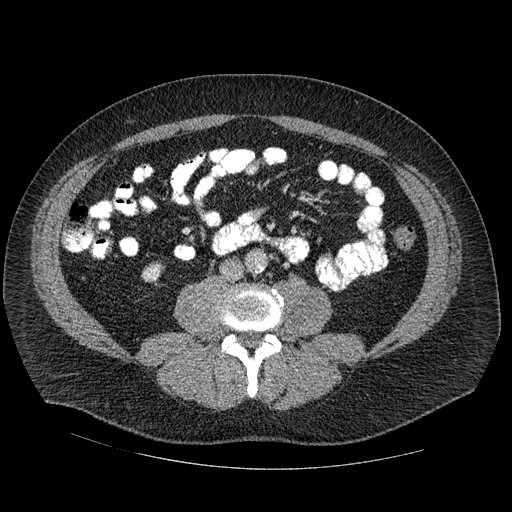
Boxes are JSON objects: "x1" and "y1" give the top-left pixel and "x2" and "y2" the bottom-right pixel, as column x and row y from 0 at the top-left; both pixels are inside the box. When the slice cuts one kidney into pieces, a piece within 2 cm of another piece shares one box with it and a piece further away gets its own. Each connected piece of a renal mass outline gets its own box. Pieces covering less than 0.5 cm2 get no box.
Slice 227/445 of a contrast-enhanced abdominal CT in the arterial phase, counting up from the lowest; pixel size 0.863 mm, slice thickness 1.25 mm. Right kidney, box {"x1": 141, "y1": 260, "x2": 164, "y2": 284} (outlined area 387 px, about 2.9 cm2). No renal mass outline on this slice.
Scan settings: 120 kVp, STANDARD reconstruction kernel.